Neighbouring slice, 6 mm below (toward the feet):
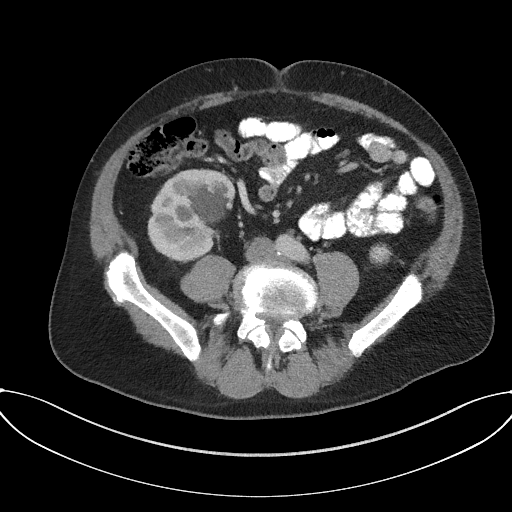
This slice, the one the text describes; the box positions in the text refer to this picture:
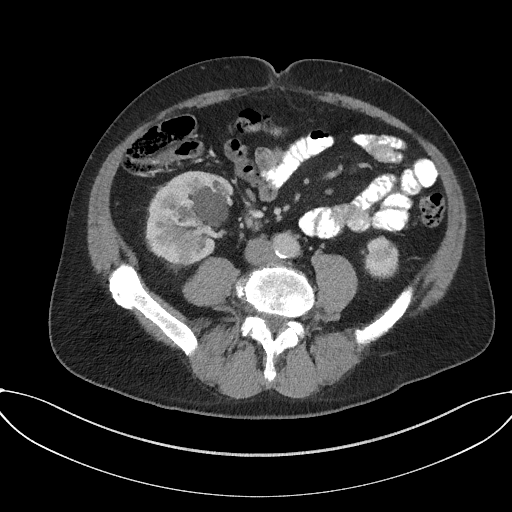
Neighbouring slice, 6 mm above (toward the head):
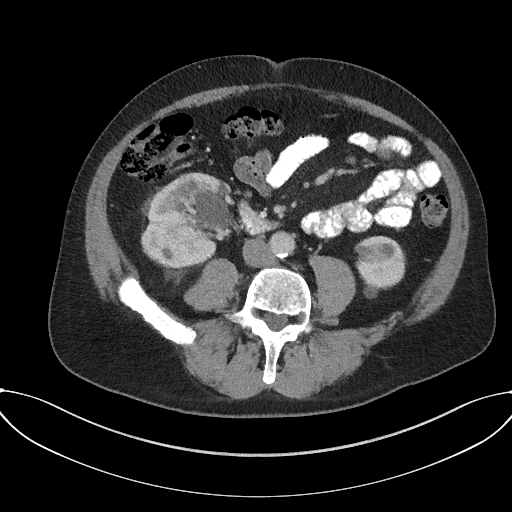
Axial slice 73 of 227 of a contrast-enhanced abdominal CT in the arterial phase (slice 1 is the lowest), 120 kVp, kernel I31f; 3.00 mm slice thickness and 0.816 mm pixels.
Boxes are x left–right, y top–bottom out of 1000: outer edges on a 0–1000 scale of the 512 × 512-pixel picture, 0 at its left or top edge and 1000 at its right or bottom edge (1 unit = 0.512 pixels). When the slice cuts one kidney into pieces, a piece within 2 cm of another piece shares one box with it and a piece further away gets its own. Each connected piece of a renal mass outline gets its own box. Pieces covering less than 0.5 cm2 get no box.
Boxed on this slice (two kidney boxes and two renal mass boxes), listed by box centre from the image's left to its right: (1) Right renal mass, box x 322–344, y 414–432 out of 1000 (outlined area 76 px, about 0.5 cm2). (2) Right renal mass at x 342–367, y 455–482 out of 1000 (outlined area 124 px, about 0.8 cm2). (3) Right kidney at x 283–457, y 332–518 out of 1000 (outlined area 6,026 px, about 40.2 cm2). (4) Left kidney, box x 705–779, y 461–547 out of 1000 (outlined area 1,250 px, about 8.3 cm2). This slice is near the end of the right renal mass toward the feet, so the slices 6 mm below and 6 mm above it are shown as well; the boxes refer to this slice only.